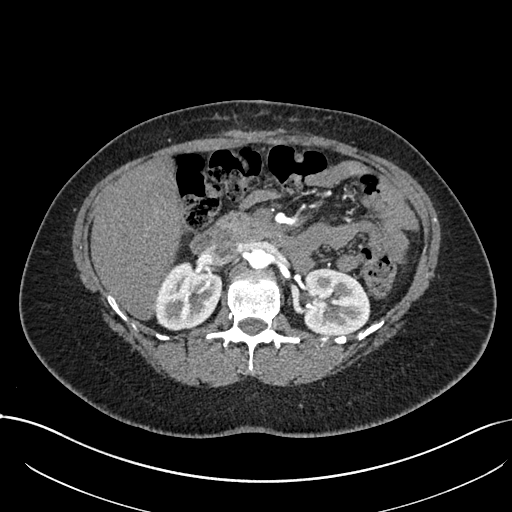
Arterial-phase contrast-enhanced abdominal CT, axial slice 451 of 738 (counted from the lowest slice); tube voltage 120 kVp, convolution kernel I30f; slices 1.00 mm thick, 0.789 mm per pixel.
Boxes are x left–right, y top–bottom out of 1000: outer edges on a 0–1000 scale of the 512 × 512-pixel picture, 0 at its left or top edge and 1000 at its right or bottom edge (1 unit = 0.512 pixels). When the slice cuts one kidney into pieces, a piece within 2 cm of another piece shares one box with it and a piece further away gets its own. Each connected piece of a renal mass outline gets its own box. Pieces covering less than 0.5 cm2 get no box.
Two kidney boxes on this slice; by box centre, from the image's left to its right: (1) Right kidney, box x 303–436, y 508–648 out of 1000 (outlined area 3,613 px, about 22.5 cm2). (2) Left kidney at x 592–725, y 523–658 out of 1000 (outlined area 3,822 px, about 23.8 cm2). No renal mass outline on this slice.